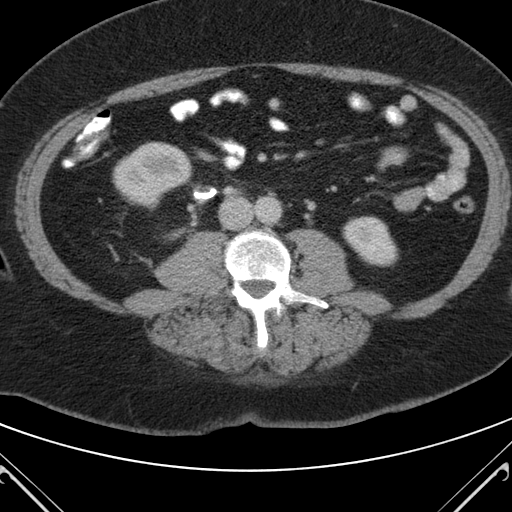
Axial slice 53 of 98 of a contrast-enhanced abdominal CT in the arterial phase (slice 1 is the lowest), 120 kVp, kernel B; 5.00 mm slice thickness and 0.703 mm pixels.
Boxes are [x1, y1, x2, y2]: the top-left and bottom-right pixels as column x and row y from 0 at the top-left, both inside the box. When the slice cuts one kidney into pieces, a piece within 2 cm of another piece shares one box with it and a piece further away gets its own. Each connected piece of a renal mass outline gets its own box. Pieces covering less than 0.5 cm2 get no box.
Boxed on this slice (two kidney boxes), listed by box centre from the image's left to its right: (1) Right kidney at [112, 141, 191, 210] (outlined area 3,797 px, about 18.8 cm2). (2) Box [342, 216, 398, 266]: left kidney (outlined area 2,073 px, about 10.2 cm2). This slice carries no renal mass outline.